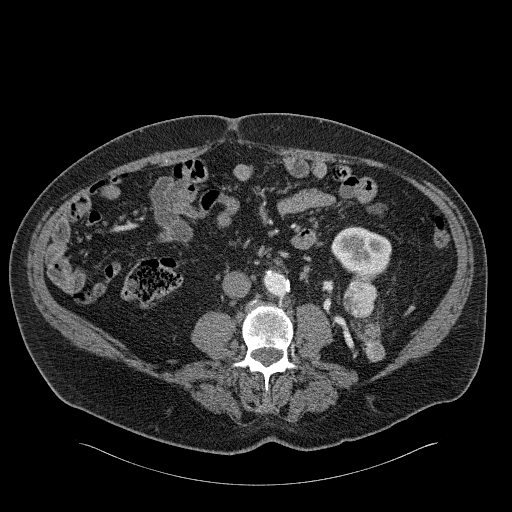
Abdominal CT with intravenous contrast, arterial phase, axial plane, 120 kVp, kernel B31f. Slice 70/326 from the bottom of the scan; thickness 2.00 mm; pixel size 0.963 mm.
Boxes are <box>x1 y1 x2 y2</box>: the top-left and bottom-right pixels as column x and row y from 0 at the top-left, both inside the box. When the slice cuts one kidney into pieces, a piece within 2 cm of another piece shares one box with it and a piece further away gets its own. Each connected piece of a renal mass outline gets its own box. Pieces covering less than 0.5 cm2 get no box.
Three boxes on this slice (one kidney box and two renal mass boxes), listed by box centre from the image's left to its right. (1) Left renal mass: <box>343 280 377 322</box> (outlined area 1,077 px, about 10.0 cm2). (2) At <box>331 226 391 275</box>: left kidney (outlined area 2,285 px, about 21.2 cm2). (3) Left renal mass at <box>363 334 385 361</box> (outlined area 454 px, about 4.2 cm2); on this slice it lies more than 1 cm from any kidney outline, but the same outlined renal mass comes within 1 cm of the kidney on another slice.